One axial slice (59 of 101, counting up from the lowest) of an arterial-phase abdominal CT acquired with 120 kVp, kernel FC14; each pixel is 0.755 mm and the slice is 5.00 mm thick.
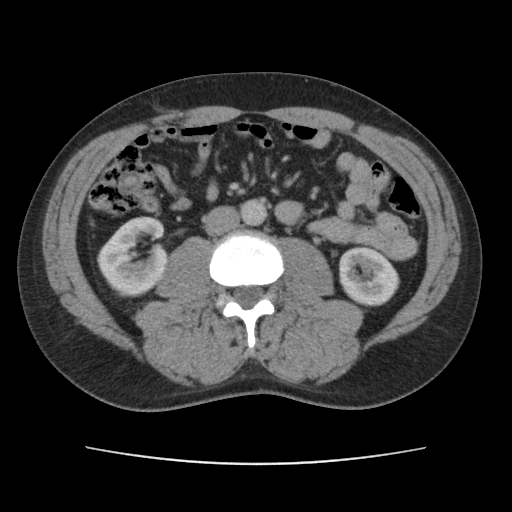
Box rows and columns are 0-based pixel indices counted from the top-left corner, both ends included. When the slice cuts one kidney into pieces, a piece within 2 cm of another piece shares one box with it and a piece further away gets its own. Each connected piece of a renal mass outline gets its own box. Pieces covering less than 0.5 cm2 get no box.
Two boxes on this slice (two kidney boxes), listed by box centre from the image's left to its right. (1) Right kidney at rows 214–297, columns 97–168 (outlined area 4,083 px, about 23.3 cm2). (2) Left kidney at rows 247–306, columns 339–399 (outlined area 2,796 px, about 15.9 cm2). This slice carries no renal mass outline.